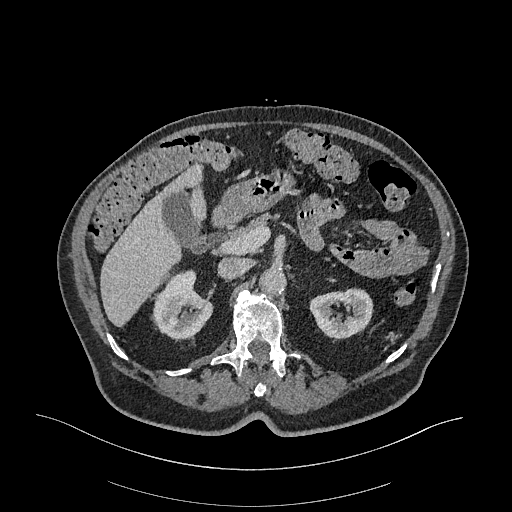
One axial slice (212 of 470, counting up from the lowest) of an arterial-phase abdominal CT acquired with 120 kVp, kernel I26f; each pixel is 0.938 mm and the slice is 1.00 mm thick.
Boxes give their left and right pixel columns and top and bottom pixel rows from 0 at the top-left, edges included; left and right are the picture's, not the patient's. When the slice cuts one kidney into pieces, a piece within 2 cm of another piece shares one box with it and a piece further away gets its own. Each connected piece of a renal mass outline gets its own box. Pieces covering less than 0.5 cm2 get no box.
Boxed on this slice (two kidney boxes), listed by box centre from the image's left to its right: (1) Box with left 153, top 269, right 212, bottom 339: right kidney (outlined area 2,849 px, about 25.0 cm2). (2) Box with left 309, top 288, right 373, bottom 338: left kidney (outlined area 2,357 px, about 20.7 cm2). No renal mass is outlined on this slice.